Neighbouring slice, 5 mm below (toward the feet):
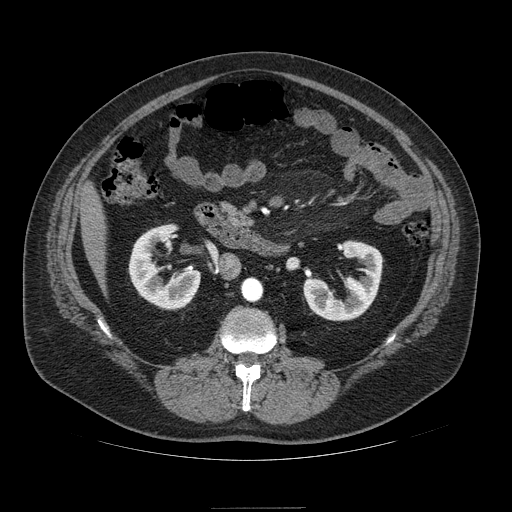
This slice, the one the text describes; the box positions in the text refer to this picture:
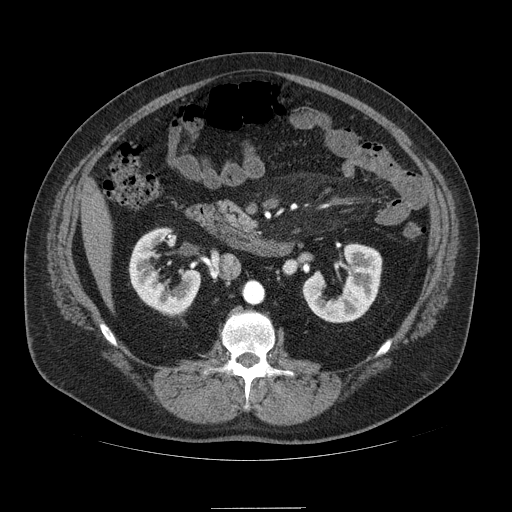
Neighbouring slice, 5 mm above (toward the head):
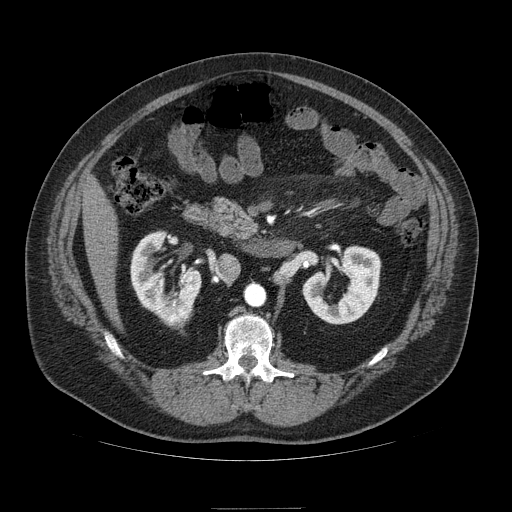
Abdominal CT with intravenous contrast, arterial phase, axial plane, 120 kVp, kernel STANDARD. Slice 49/121 from the bottom of the scan; thickness 2.50 mm; pixel size 0.861 mm.
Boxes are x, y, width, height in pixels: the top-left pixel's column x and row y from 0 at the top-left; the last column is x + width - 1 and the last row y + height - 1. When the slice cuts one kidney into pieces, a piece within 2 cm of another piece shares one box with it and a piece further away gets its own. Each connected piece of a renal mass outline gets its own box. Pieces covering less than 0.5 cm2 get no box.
Boxed on this slice (two kidney boxes and one renal mass box), listed by box centre from the image's left to its right: (1) Box x 129, y 227, width 71, height 88: right kidney (outlined area 3,312 px, about 24.6 cm2). (2) Box x 167, y 302, width 16, height 11: right renal mass (outlined area 144 px, about 1.1 cm2). (3) Left kidney, box x 302, y 243, width 81, height 80 (outlined area 3,831 px, about 28.4 cm2). This slice lies near the end of the right renal mass toward the feet; the slices 5 mm below and 5 mm above it are shown too, and the boxes mark positions on this slice only.